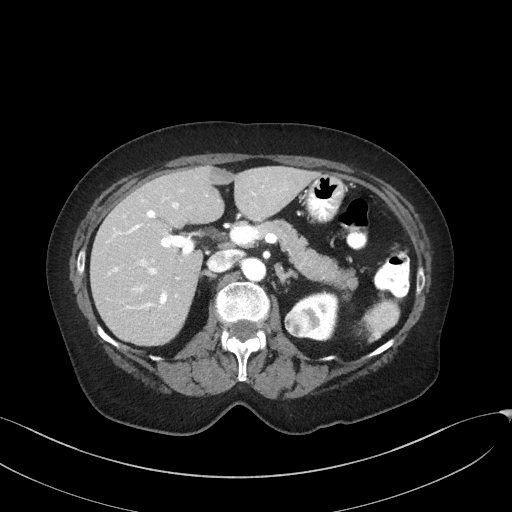
One axial slice (100 of 129, counting up from the lowest) of an arterial-phase abdominal CT acquired with 100 kVp, kernel I41f; each pixel is 0.779 mm and the slice is 3.00 mm thick.
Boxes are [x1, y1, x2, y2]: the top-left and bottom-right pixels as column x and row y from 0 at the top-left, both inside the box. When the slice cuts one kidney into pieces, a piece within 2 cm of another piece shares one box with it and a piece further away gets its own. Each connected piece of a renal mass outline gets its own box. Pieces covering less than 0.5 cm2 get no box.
Boxed on this slice (one kidney box and one renal mass box), listed by box centre from the image's left to its right: (1) Box [284, 309, 311, 336]: left renal mass (outlined area 608 px, about 3.7 cm2). (2) Left kidney at [291, 292, 337, 339] (outlined area 1,363 px, about 8.3 cm2).